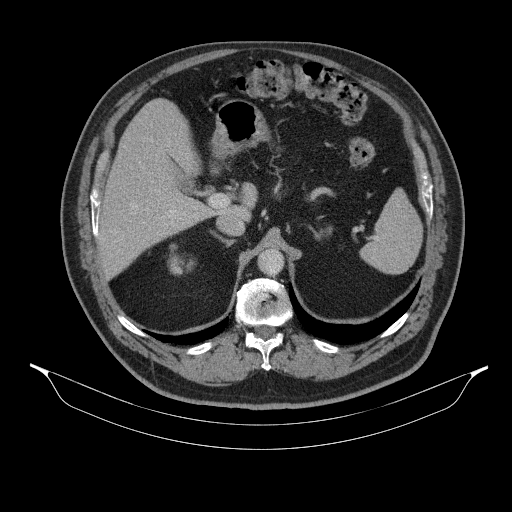
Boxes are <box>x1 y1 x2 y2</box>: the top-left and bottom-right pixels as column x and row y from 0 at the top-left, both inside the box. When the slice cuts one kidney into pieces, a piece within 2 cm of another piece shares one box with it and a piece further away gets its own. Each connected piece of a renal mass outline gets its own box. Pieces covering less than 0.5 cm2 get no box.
Contrast-enhanced abdominal CT, axial slice 237 of 314 (counted from the lowest slice); 2.50 mm thick, 0.934 mm per pixel. Right kidney at <box>167 253 195 275</box> (outlined area 397 px, about 3.5 cm2). This slice carries no renal mass outline.
Scan settings: 130 kVp, B31s reconstruction kernel.